One axial slice (290 of 723, counting up from the lowest) of an arterial-phase abdominal CT acquired with 120 kVp, kernel B30f; each pixel is 0.895 mm and the slice is 1.00 mm thick.
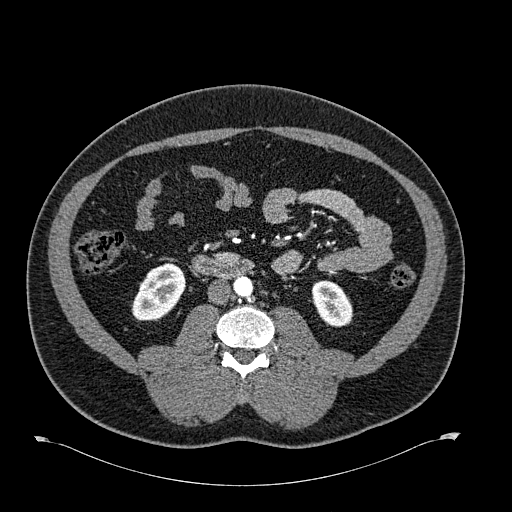
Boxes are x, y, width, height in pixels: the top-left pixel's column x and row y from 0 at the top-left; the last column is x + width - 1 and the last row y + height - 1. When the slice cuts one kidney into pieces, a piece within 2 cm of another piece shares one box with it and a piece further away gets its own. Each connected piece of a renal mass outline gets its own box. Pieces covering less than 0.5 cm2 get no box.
Two boxes on this slice (two kidney boxes), listed by box centre from the image's left to its right. (1) Box x 131, y 261, width 55, height 60: right kidney (outlined area 2,235 px, about 17.9 cm2). (2) Box x 310, y 280, width 44, height 48: left kidney (outlined area 1,473 px, about 11.8 cm2). This slice carries no renal mass outline.